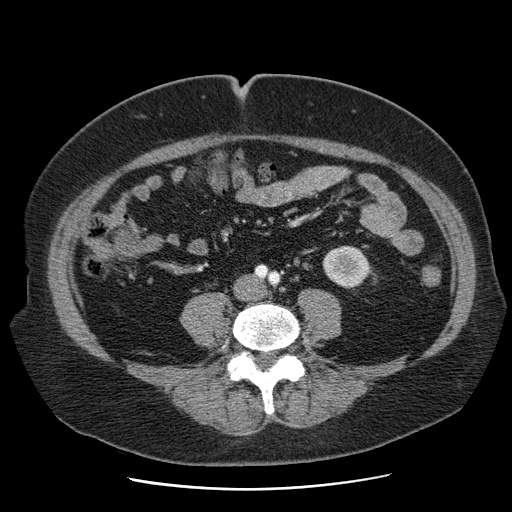
One axial slice (12 of 103, counting up from the lowest) of a contrast-enhanced abdominal CT acquired with 120 kVp, kernel STANDARD; each pixel is 0.736 mm and the slice is 2.50 mm thick.
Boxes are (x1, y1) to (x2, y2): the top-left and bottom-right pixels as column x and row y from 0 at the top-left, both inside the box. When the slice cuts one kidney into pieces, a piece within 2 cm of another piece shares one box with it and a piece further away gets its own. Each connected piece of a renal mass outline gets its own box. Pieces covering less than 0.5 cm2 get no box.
Left kidney, box (322, 245) to (369, 288) (outlined area 1,574 px, about 8.5 cm2). This slice carries no renal mass outline.